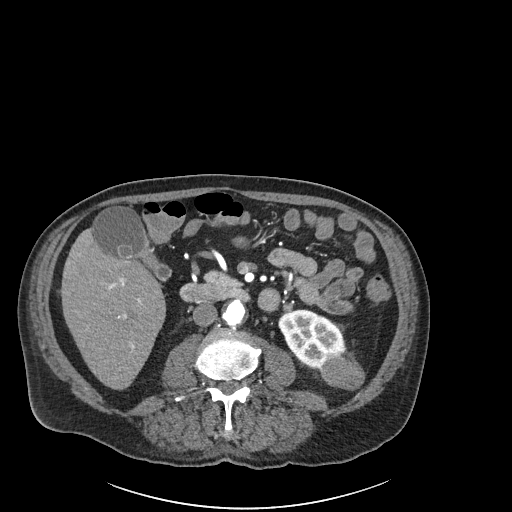
Arterial-phase contrast-enhanced abdominal CT, axial slice 79 of 261 (counted from the lowest slice); tube voltage 120 kVp, convolution kernel I30f; slices 2.00 mm thick, 0.939 mm per pixel.
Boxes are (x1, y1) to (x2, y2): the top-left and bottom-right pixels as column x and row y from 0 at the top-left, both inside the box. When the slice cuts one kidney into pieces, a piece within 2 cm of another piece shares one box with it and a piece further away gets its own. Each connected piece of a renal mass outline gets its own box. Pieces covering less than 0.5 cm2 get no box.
One kidney box and one renal mass box on this slice; by box centre, from the image's left to its right: (1) Left kidney, box (278, 309) to (345, 368) (outlined area 2,660 px, about 23.5 cm2). (2) Left renal mass, box (319, 352) to (365, 390) (outlined area 1,260 px, about 11.1 cm2).